Abdominal CT with intravenous contrast, arterial phase, axial plane, 100 kVp, kernel I40f. Slice 131/234 from the bottom of the scan; thickness 2.00 mm; pixel size 0.699 mm.
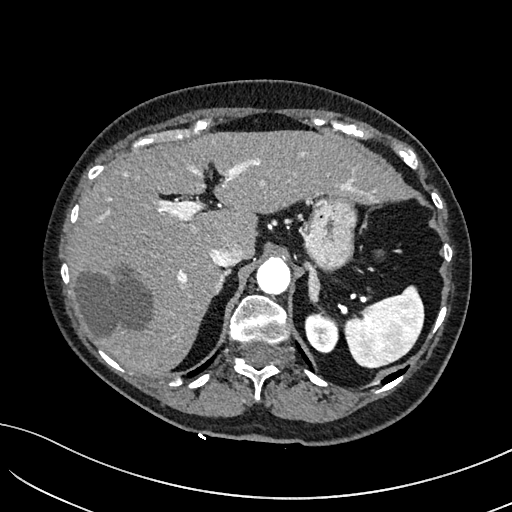
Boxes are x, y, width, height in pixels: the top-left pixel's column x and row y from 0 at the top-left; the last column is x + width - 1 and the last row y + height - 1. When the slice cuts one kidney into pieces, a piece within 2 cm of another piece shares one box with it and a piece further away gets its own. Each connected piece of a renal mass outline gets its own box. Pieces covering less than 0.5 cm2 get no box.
Box x 304, y 313, width 34, height 40: left kidney (outlined area 1,063 px, about 5.2 cm2). This slice carries no renal mass outline.